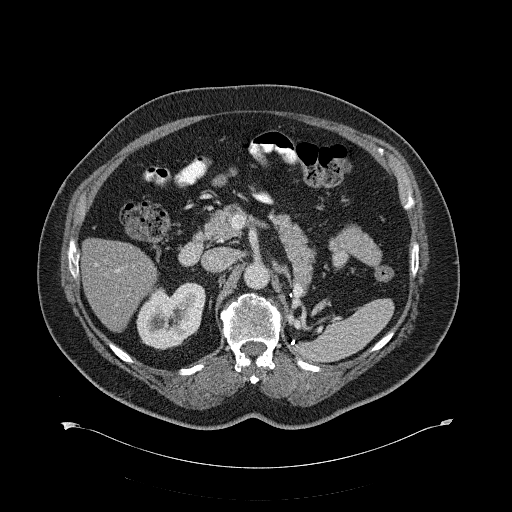
Abdominal CT with intravenous contrast, axial plane, 120 kVp, kernel B31f. Slice 400/734 from the bottom of the scan; thickness 2.00 mm; pixel size 0.971 mm.
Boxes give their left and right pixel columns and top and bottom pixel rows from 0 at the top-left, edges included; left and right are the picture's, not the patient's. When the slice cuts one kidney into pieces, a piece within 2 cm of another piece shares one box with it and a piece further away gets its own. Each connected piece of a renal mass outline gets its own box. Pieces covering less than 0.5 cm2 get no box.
Box with left 136, top 282, right 205, bottom 349: right kidney (outlined area 3,444 px, about 32.5 cm2). This slice carries no renal mass outline.